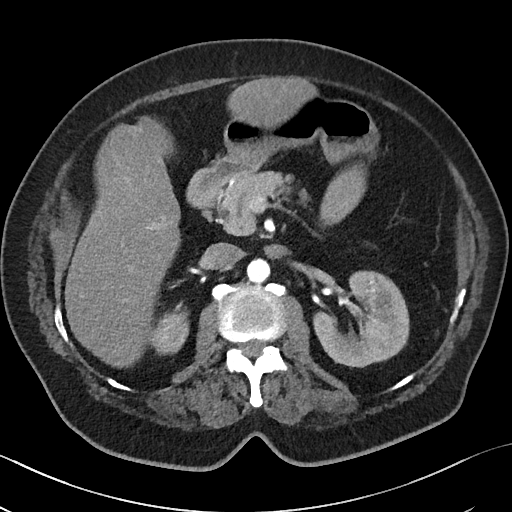
Abdominal CT with intravenous contrast, axial plane, 100 kVp, kernel I40f. Slice 25/50 from the bottom of the scan; thickness 5.00 mm; pixel size 0.723 mm.
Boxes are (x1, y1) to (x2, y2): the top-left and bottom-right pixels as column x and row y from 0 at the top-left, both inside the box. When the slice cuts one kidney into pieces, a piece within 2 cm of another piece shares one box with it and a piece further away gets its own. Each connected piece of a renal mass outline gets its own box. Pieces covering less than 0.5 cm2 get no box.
Boxed on this slice (two kidney boxes and one renal mass box), listed by box centre from the image's left to its right: (1) Box (151, 310) to (188, 355): right kidney (outlined area 1,287 px, about 6.7 cm2). (2) Left kidney from (313, 270) to (409, 367) (outlined area 5,481 px, about 28.6 cm2). (3) Box (361, 279) to (392, 308): left renal mass (outlined area 790 px, about 4.1 cm2).